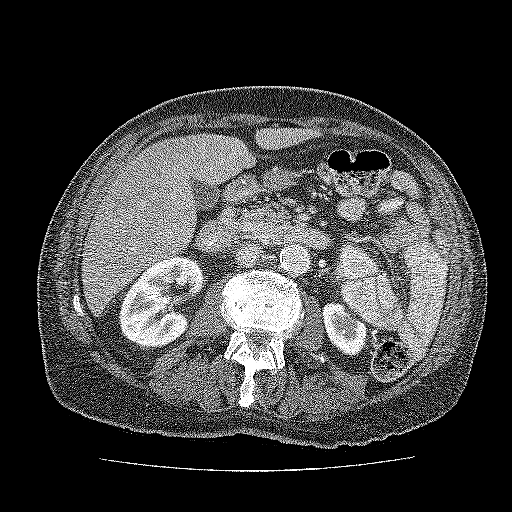
Axial slice 90 of 137 of a contrast-enhanced abdominal CT (slice 1 is the lowest), 120 kVp, kernel FC52; 3.00 mm slice thickness and 0.741 mm pixels.
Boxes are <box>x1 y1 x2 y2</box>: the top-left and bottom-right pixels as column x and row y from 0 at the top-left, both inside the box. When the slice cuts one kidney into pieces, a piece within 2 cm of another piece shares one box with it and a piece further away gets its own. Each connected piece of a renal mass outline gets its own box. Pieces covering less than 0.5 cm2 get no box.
Boxed on this slice (two kidney boxes), listed by box centre from the image's left to its right: (1) Kidney at <box>118 257 204 349</box> (outlined area 5,457 px, about 30.0 cm2). (2) Kidney at <box>323 301 367 356</box> (outlined area 1,707 px, about 9.4 cm2). No renal mass outline on this slice.